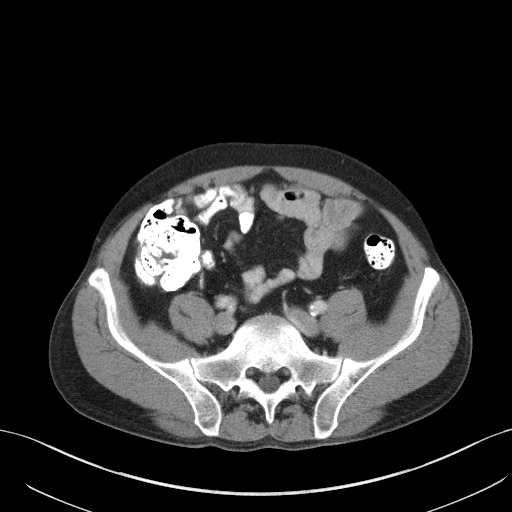
One axial slice (36 of 131, counting up from the lowest) of an arterial-phase abdominal CT acquired with 120 kVp, kernel B41f; each pixel is 0.760 mm and the slice is 5.00 mm thick.
Outside the outlined region: no kidney outline and no renal mass outline on this slice. The scan's outlines cover only kidneys and renal masses; no other organ is outlined.